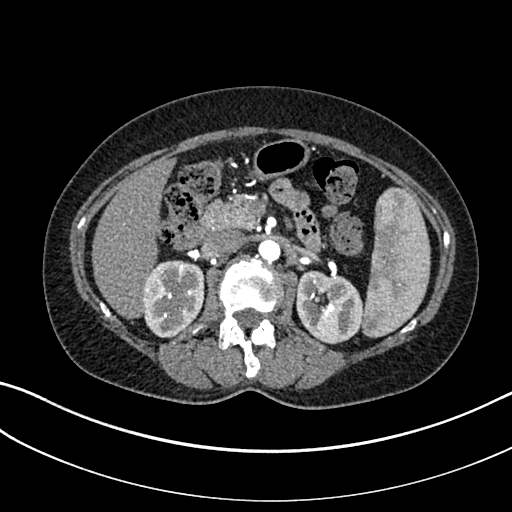
One axial slice (184 of 325, counting up from the lowest) of an arterial-phase abdominal CT acquired with 100 kVp, kernel I30f; each pixel is 0.703 mm and the slice is 1.00 mm thick.
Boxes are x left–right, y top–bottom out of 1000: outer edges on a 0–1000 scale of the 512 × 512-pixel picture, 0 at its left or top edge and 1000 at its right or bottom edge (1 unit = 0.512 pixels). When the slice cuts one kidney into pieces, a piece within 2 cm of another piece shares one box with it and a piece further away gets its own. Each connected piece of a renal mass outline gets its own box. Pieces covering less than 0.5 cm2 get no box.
Boxed on this slice (two kidney boxes), listed by box centre from the image's left to its right: (1) Right kidney at x 277–400, y 508–662 out of 1000 (outlined area 3,916 px, about 19.4 cm2). (2) Box x 578–711, y 527–674 out of 1000: left kidney (outlined area 3,879 px, about 19.2 cm2). No renal mass is outlined on this slice.